Abdominal CT with intravenous contrast, arterial phase, axial plane, 120 kVp, kernel I30f. Slice 260/527 from the bottom of the scan; thickness 1.00 mm; pixel size 0.859 mm.
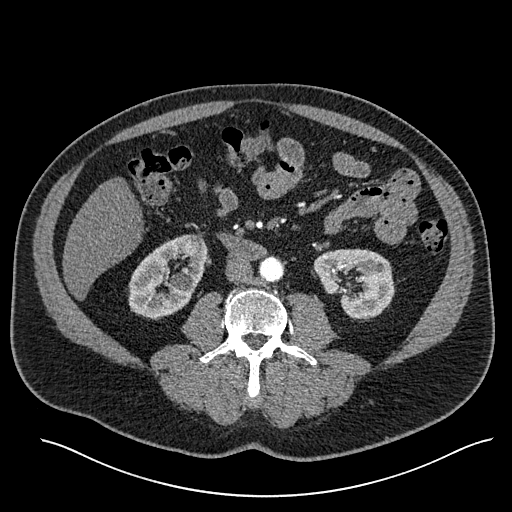
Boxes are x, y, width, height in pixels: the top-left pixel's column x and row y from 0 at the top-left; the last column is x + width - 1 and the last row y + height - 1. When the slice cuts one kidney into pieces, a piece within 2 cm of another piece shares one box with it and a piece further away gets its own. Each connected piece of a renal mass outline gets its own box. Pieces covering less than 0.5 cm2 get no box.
Two boxes on this slice (two kidney boxes), listed by box centre from the image's left to its right. (1) Right kidney at x 128, y 234, width 80, height 85 (outlined area 4,507 px, about 33.3 cm2). (2) Box x 313, y 248, width 82, height 71: left kidney (outlined area 4,117 px, about 30.4 cm2). This slice carries no renal mass outline.